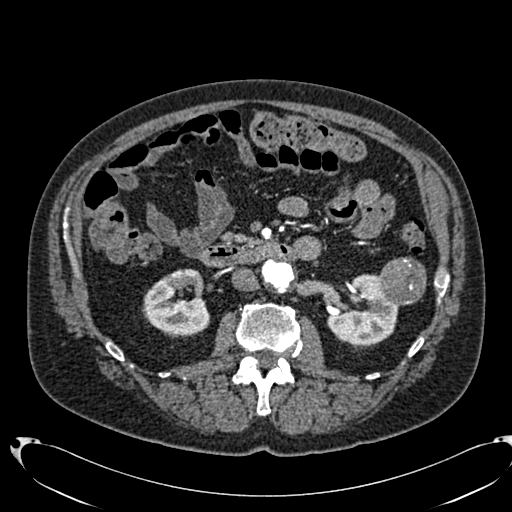
Axial slice 396 of 553 of a contrast-enhanced abdominal CT in the arterial phase (slice 1 is the lowest), 120 kVp, kernel B20f; 1.00 mm slice thickness and 0.773 mm pixels.
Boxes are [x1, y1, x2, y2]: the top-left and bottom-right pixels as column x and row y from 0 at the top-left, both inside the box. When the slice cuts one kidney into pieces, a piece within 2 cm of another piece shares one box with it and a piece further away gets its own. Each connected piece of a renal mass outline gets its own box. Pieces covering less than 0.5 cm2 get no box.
Three boxes on this slice (two kidney boxes and one renal mass box), listed by box centre from the image's left to its right. (1) Box [143, 268, 210, 335]: right kidney (outlined area 3,313 px, about 19.8 cm2). (2) Box [327, 274, 399, 345]: left kidney (outlined area 3,385 px, about 20.2 cm2). (3) Left renal mass at [377, 257, 426, 305] (outlined area 1,897 px, about 11.3 cm2).